Axial slice 66 of 142 of a contrast-enhanced abdominal CT (slice 1 is the lowest), 100 kVp, kernel I30f; 5.00 mm slice thickness and 0.855 mm pixels.
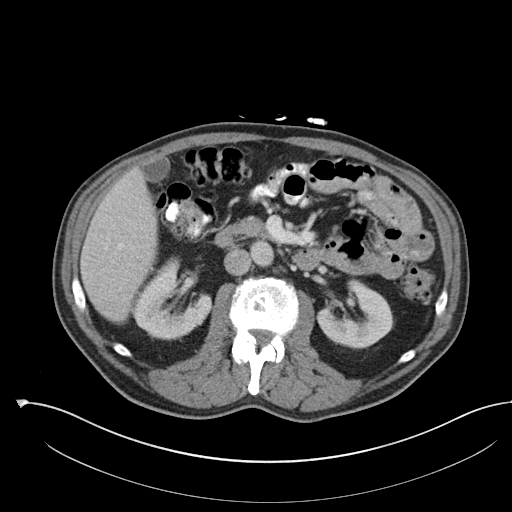
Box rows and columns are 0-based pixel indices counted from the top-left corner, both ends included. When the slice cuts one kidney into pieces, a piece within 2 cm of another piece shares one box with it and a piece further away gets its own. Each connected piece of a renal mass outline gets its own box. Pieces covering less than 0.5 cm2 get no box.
Three boxes on this slice (two kidney boxes and one renal mass box), listed by box centre from the image's left to its right. (1) Right renal mass at rows 301–333, columns 139–187 (outlined area 919 px, about 6.7 cm2). (2) Box rows 256–339, columns 132–211: right kidney (outlined area 3,286 px, about 24.0 cm2). (3) Left kidney, box rows 278–348, columns 316–393 (outlined area 3,506 px, about 25.7 cm2).